Axial slice 164 of 301 of a contrast-enhanced abdominal CT (slice 1 is the lowest), 120 kVp, kernel I40f; 2.00 mm slice thickness and 0.859 mm pixels.
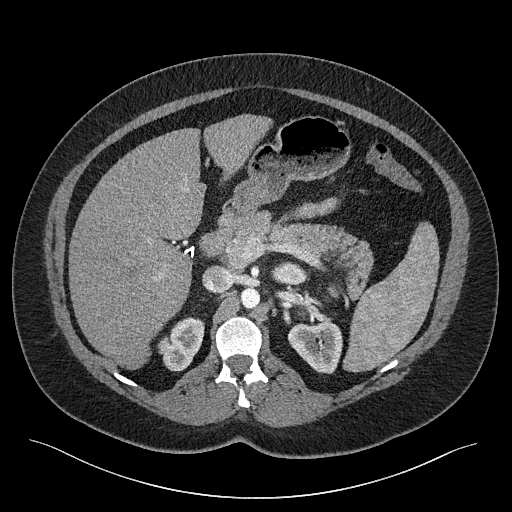
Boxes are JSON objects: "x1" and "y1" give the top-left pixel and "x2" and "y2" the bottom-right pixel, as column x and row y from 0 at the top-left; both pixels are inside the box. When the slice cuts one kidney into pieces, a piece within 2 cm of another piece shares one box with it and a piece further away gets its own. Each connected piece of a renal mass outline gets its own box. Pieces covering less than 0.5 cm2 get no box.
Three kidney boxes on this slice; by box centre, from the image's left to its right: (1) Right kidney at {"x1": 159, "y1": 317, "x2": 204, "y2": 371} (outlined area 1,706 px, about 12.6 cm2). (2) Box {"x1": 273, "y1": 261, "x2": 309, "y2": 286}: left kidney (one of two boxed parts) (outlined area 647 px, about 4.8 cm2). (3) Box {"x1": 287, "y1": 322, "x2": 342, "y2": 373}: left kidney (one of two boxed parts) (outlined area 2,129 px, about 15.7 cm2).